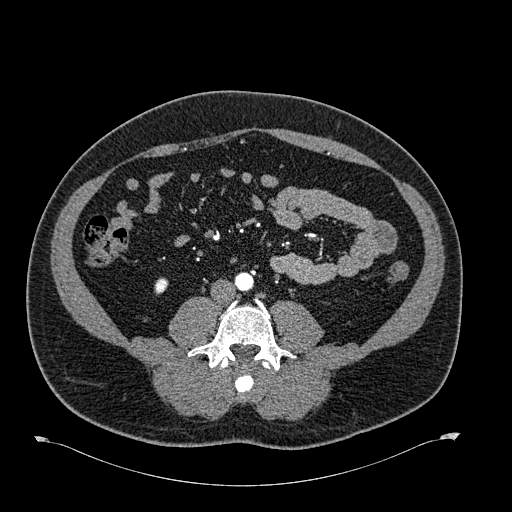
Abdominal CT with intravenous contrast, arterial phase, axial plane, 120 kVp, kernel B30f. Slice 246/723 from the bottom of the scan; thickness 1.00 mm; pixel size 0.895 mm.
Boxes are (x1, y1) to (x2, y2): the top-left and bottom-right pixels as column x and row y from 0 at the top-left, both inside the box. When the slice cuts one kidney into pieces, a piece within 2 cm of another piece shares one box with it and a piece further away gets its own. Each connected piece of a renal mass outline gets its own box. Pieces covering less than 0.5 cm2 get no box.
Right kidney from (154, 277) to (167, 293) (outlined area 170 px, about 1.4 cm2). No renal mass outline on this slice.